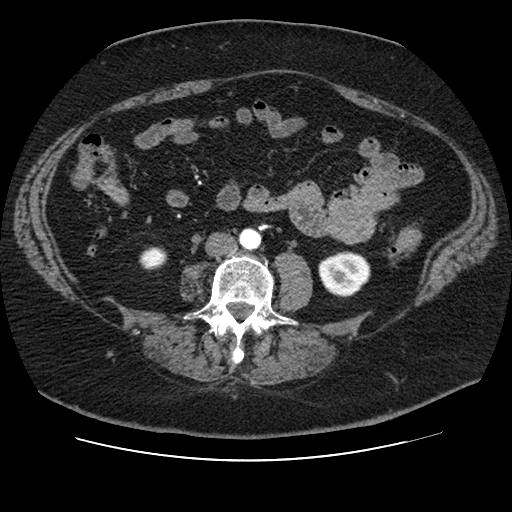
One axial slice (23 of 106, counting up from the lowest) of an arterial-phase abdominal CT acquired with 120 kVp, kernel STANDARD; each pixel is 0.742 mm and the slice is 2.50 mm thick.
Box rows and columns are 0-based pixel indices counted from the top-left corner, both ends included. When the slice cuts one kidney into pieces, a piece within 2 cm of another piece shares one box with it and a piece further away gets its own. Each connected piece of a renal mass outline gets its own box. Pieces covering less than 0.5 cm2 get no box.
Two boxes on this slice (two kidney boxes), listed by box centre from the image's left to its right. (1) Box rows 247–270, columns 139–167: right kidney (outlined area 514 px, about 2.8 cm2). (2) Left kidney, box rows 251–297, columns 318–370 (outlined area 1,861 px, about 10.3 cm2). No renal mass outline on this slice.